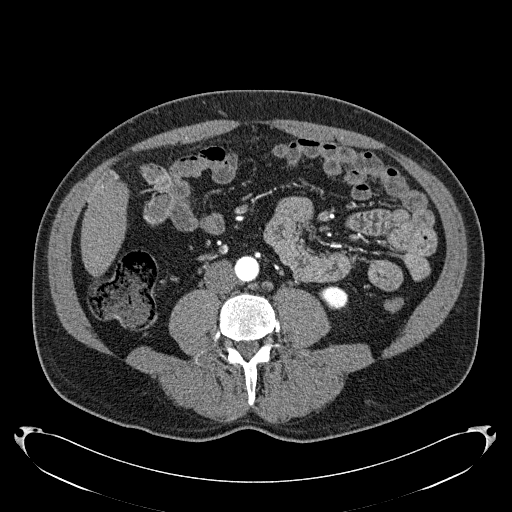
Abdominal CT with intravenous contrast, arterial phase, axial plane, 120 kVp, kernel B31f. Slice 63/279 from the bottom of the scan; thickness 2.00 mm; pixel size 0.824 mm.
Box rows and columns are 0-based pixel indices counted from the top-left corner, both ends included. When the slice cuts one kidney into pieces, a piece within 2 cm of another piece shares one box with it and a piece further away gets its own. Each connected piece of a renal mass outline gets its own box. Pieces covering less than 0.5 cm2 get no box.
Left kidney at rows 286–309, columns 319–347 (outlined area 532 px, about 3.6 cm2). No renal mass outline on this slice.